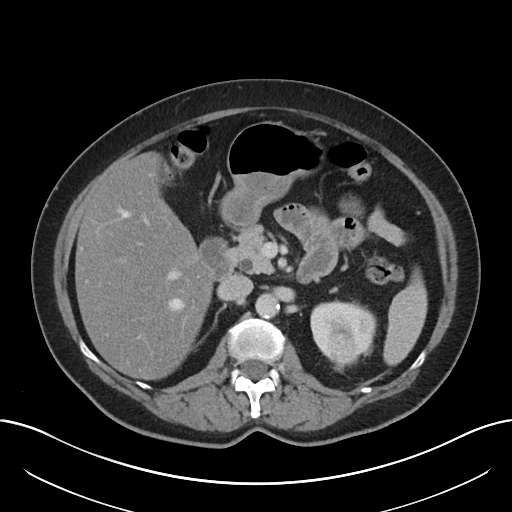
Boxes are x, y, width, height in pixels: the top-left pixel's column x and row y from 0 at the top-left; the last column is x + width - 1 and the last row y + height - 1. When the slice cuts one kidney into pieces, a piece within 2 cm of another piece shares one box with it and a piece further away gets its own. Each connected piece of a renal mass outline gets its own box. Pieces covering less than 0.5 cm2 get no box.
This is axial slice 128 of 197 (slice 1 is the lowest) of an abdominal CT with contrast; each pixel is 0.791 mm and the slice is 5.00 mm thick. Two boxes on this slice (one kidney box and one renal mass box), listed by box centre from the image's left to its right. (1) Box x 327, y 324, width 32, height 43: left renal mass (outlined area 1,054 px, about 6.6 cm2). (2) Left kidney at x 310, y 301, width 68, height 65 (outlined area 2,309 px, about 14.4 cm2).
Tube voltage 120 kVp; convolution kernel I30f.